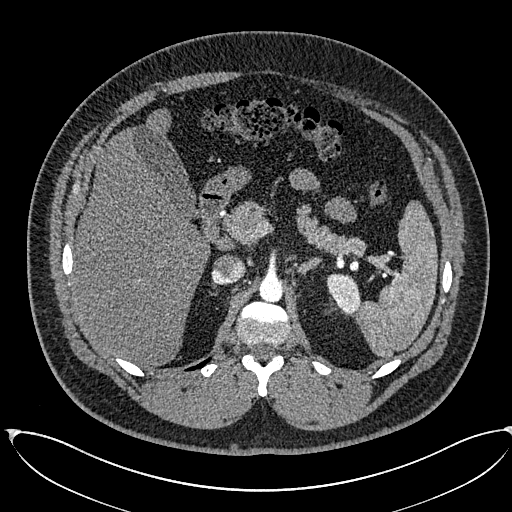
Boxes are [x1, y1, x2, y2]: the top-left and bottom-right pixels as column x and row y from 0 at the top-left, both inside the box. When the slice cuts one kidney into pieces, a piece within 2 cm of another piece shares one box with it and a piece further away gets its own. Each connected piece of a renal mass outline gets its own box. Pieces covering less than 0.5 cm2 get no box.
Arterial-phase contrast-enhanced abdominal CT, axial slice 427 of 673 (counted from the lowest slice); 1.00 mm thick, 0.855 mm per pixel. Left kidney, box [327, 273, 361, 315] (outlined area 1,043 px, about 7.6 cm2). This slice carries no renal mass outline.
Scan settings: 120 kVp, I30f reconstruction kernel.